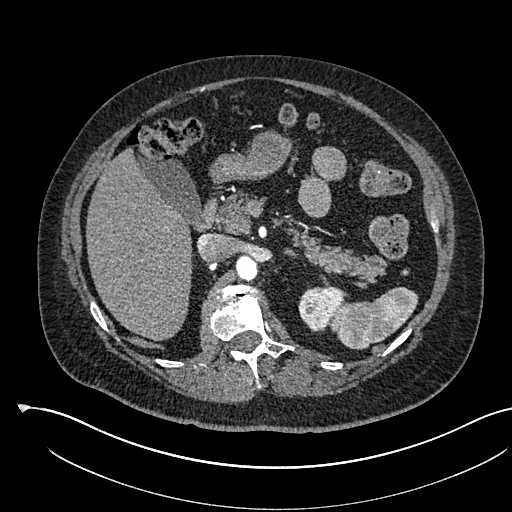
Abdominal CT with intravenous contrast, arterial phase, axial plane, 120 kVp, kernel I30f. Slice 376/541 from the bottom of the scan; thickness 1.00 mm; pixel size 0.834 mm.
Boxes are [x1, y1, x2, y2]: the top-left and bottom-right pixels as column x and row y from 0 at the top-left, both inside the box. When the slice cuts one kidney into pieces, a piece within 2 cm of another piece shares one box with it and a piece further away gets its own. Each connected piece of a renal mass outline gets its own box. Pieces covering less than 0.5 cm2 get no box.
Left kidney, box [298, 285, 345, 331] (outlined area 1,479 px, about 10.3 cm2). No renal mass outline on this slice.